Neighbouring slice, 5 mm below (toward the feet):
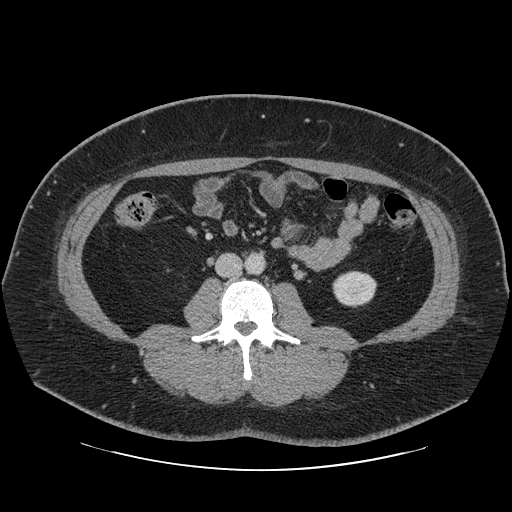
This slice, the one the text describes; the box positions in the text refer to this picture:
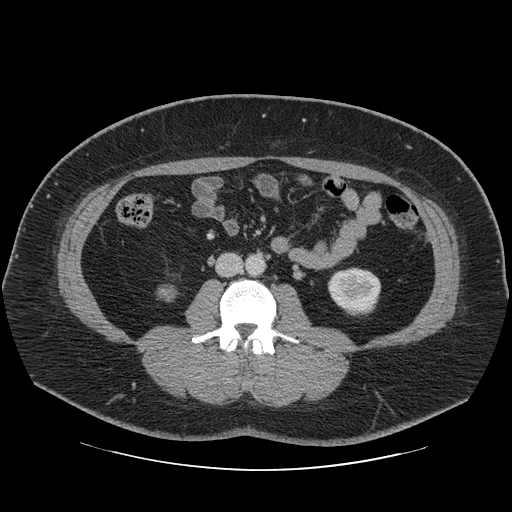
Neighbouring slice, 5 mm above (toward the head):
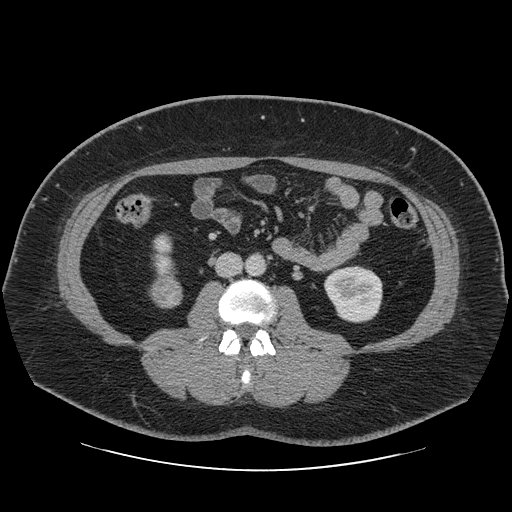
Abdominal CT with intravenous contrast, arterial phase, axial plane, 120 kVp, kernel STANDARD. Slice 14/69 from the bottom of the scan; thickness 2.50 mm; pixel size 0.846 mm.
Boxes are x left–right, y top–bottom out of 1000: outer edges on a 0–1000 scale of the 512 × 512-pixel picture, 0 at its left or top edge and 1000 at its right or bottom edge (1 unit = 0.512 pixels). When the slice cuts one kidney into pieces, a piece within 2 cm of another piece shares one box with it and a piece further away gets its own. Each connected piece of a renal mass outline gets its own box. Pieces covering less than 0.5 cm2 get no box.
Boxed on this slice (one kidney box and one renal mass box), listed by box centre from the image's left to its right: (1) Right renal mass, box x 305–348, y 555–592 out of 1000 (outlined area 304 px, about 2.2 cm2); here it is more than 1 cm from any kidney outline, though on another slice the same outlined renal mass lies within 1 cm of the kidney. (2) Box x 639–746, y 521–619 out of 1000: left kidney (outlined area 2,024 px, about 14.5 cm2). This slice lies near the end of the right renal mass toward the feet; the slices 5 mm below and 5 mm above it are shown too, and the boxes mark positions on this slice only.